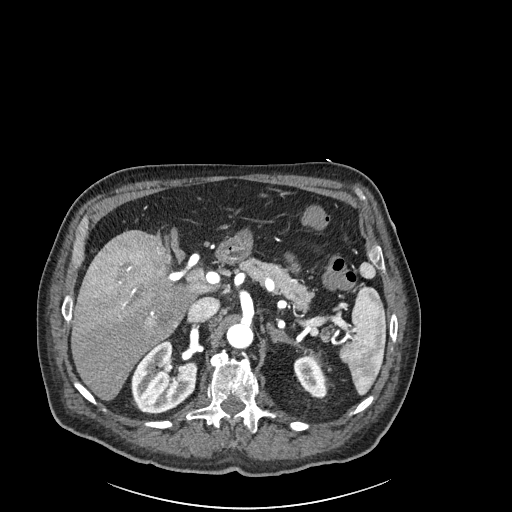
One axial slice (157 of 261, counting up from the lowest) of an arterial-phase abdominal CT acquired with 120 kVp, kernel I30f; each pixel is 0.939 mm and the slice is 2.00 mm thick.
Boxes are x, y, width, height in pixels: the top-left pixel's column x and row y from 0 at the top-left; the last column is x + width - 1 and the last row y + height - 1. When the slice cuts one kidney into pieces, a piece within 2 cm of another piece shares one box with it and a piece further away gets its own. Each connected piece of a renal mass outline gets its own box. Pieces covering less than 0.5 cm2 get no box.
Two boxes on this slice (two kidney boxes), listed by box centre from the image's left to its right. (1) Right kidney, box x 130, y 339, width 68, height 76 (outlined area 3,550 px, about 31.3 cm2). (2) Box x 293, y 356, width 35, height 42: left kidney (outlined area 967 px, about 8.5 cm2). This slice carries no renal mass outline.